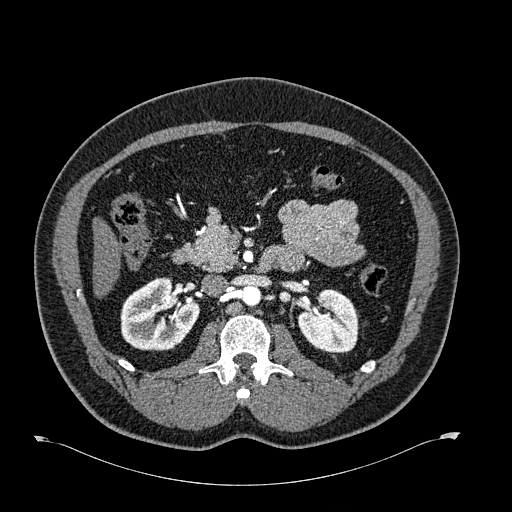
One axial slice (381 of 723, counting up from the lowest) of an arterial-phase abdominal CT acquired with 120 kVp, kernel B30f; each pixel is 0.895 mm and the slice is 1.00 mm thick.
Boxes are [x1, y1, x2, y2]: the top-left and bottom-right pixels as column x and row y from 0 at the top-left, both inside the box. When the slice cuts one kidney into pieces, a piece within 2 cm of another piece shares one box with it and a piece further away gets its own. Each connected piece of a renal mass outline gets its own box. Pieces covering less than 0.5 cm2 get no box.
Two boxes on this slice (two kidney boxes), listed by box centre from the image's left to its right. (1) Box [120, 277, 199, 350]: right kidney (outlined area 4,304 px, about 34.4 cm2). (2) Left kidney, box [297, 289, 358, 353] (outlined area 2,963 px, about 23.7 cm2). This slice carries no renal mass outline.